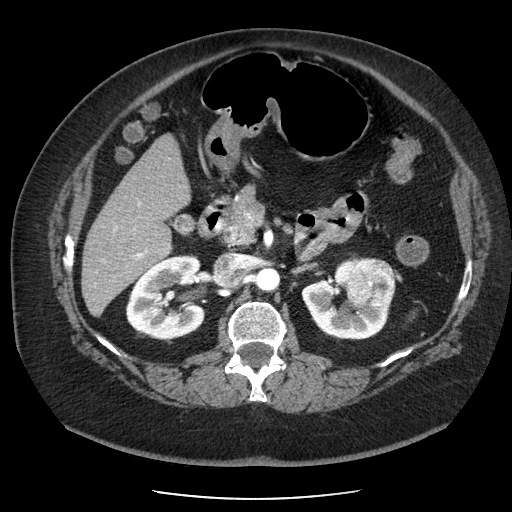
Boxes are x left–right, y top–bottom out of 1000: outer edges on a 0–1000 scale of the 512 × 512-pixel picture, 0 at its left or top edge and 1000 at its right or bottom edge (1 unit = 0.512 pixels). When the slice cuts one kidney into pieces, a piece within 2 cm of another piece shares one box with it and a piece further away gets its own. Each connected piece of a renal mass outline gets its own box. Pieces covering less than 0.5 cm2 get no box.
Arterial-phase contrast-enhanced abdominal CT, axial slice 129 of 186 (counted from the lowest slice); 2.50 mm thick, 0.742 mm per pixel. Boxed on this slice (two kidney boxes and one renal mass box), listed by box centre from the image's left to its right: (1) Box x 244–402, y 496–666 out of 1000: right kidney (outlined area 5,293 px, about 29.2 cm2). (2) Box x 588–764, y 500–666 out of 1000: left kidney (outlined area 3,638 px, about 20.0 cm2). (3) Left renal mass, box x 678–773, y 502–600 out of 1000 (outlined area 2,031 px, about 11.2 cm2).
Acquired at 120 kVp and reconstructed with the STANDARD kernel.